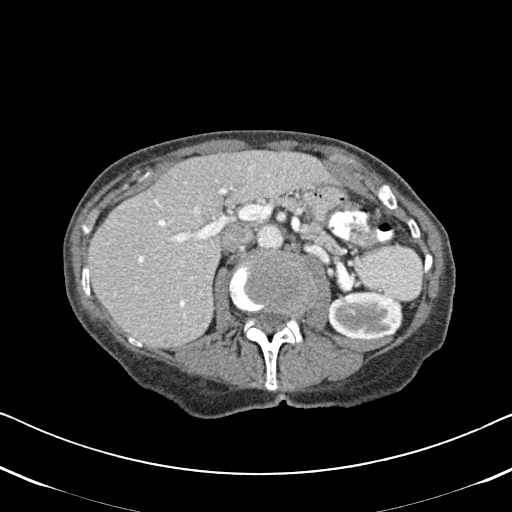
Abdominal CT with intravenous contrast, arterial phase, axial plane, 120 kVp, kernel B31f. Slice 307/620 from the bottom of the scan; thickness 2.00 mm; pixel size 0.637 mm.
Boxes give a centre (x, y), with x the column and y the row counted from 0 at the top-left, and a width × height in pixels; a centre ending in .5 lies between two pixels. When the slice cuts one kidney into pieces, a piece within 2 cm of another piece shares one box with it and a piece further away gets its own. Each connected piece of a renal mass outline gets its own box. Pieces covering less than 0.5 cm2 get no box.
Box centre (365.5, 314.5), 76 × 50 pixels: left kidney (outlined area 3,082 px, about 12.5 cm2). No renal mass outline on this slice.